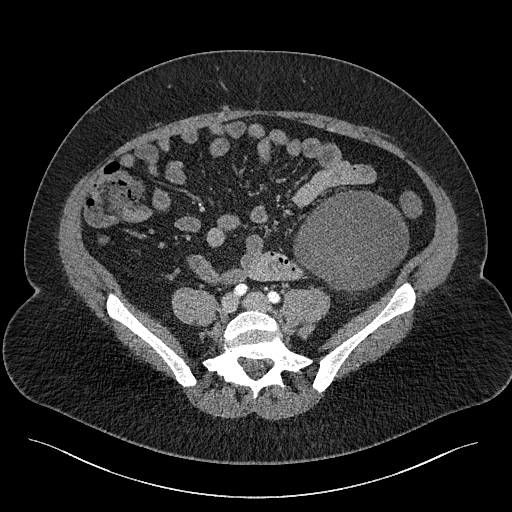
One axial slice (42 of 301, counting up from the lowest) of a contrast-enhanced abdominal CT acquired with 120 kVp, kernel I40f; each pixel is 0.859 mm and the slice is 2.00 mm thick.
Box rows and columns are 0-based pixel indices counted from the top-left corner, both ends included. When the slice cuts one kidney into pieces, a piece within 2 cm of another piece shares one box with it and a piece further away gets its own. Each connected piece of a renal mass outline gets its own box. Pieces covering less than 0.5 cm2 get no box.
Left renal mass, box rows 190–293, columns 293–408 (outlined area 8,590 px, about 63.4 cm2); this slice has no kidney outline, though on another slice the same outlined renal mass lies within 1 cm of the kidney.